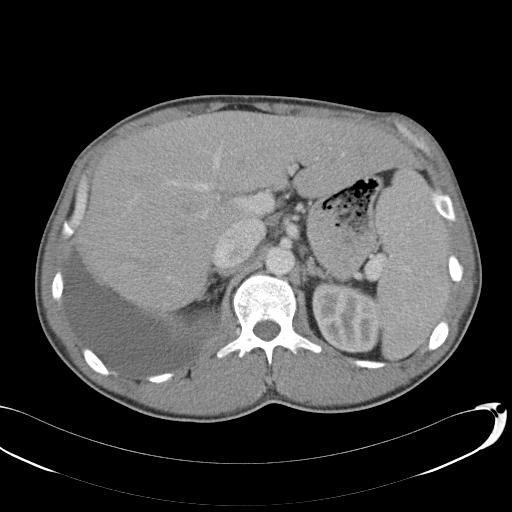
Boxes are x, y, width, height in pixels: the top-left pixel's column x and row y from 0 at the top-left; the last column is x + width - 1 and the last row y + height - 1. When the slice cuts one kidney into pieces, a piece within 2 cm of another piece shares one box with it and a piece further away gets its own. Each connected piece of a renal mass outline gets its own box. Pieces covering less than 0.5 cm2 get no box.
This is axial slice 76 of 146 (slice 1 is the lowest) of an abdominal CT with contrast; each pixel is 0.742 mm and the slice is 5.00 mm thick. Left kidney at x 312, y 281, width 67, height 73 (outlined area 3,927 px, about 21.6 cm2). No renal mass outline on this slice.
Acquired at 120 kVp and reconstructed with the B31f kernel.